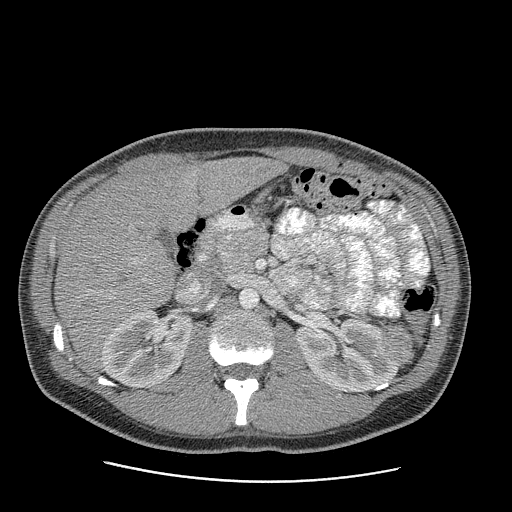
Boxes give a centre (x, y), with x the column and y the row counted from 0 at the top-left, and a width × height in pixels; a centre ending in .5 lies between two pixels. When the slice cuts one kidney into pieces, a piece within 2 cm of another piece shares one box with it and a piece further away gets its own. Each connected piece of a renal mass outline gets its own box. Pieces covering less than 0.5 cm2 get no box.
Arterial-phase contrast-enhanced abdominal CT, axial slice 154 of 199 (counted from the lowest slice); 2.50 mm thick, 0.789 mm per pixel. Three boxes on this slice (two kidney boxes and one renal mass box), listed by box centre from the image's left to its right. (1) Right kidney in a box with centre (147, 348.5), 93 × 80 pixels (outlined area 5,379 px, about 33.5 cm2). (2) Left kidney in a box with centre (347, 355), 103 × 75 pixels (outlined area 5,394 px, about 33.6 cm2). (3) Left renal mass in a box with centre (396.5, 343), 36 × 45 pixels (outlined area 1,160 px, about 7.2 cm2).
Tube voltage 120 kVp; convolution kernel STANDARD.